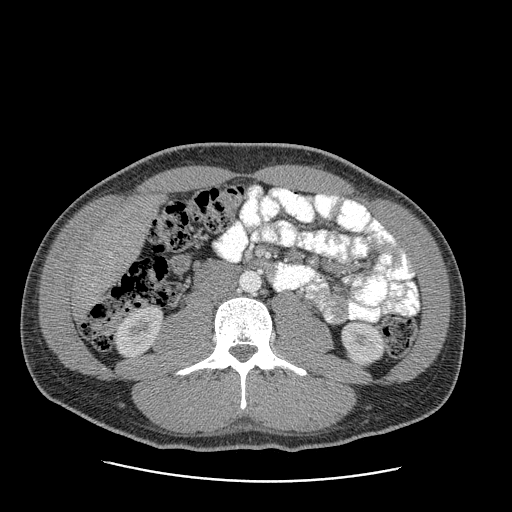
Arterial-phase contrast-enhanced abdominal CT, axial slice 131 of 199 (counted from the lowest slice); tube voltage 120 kVp, convolution kernel STANDARD; slices 2.50 mm thick, 0.789 mm per pixel.
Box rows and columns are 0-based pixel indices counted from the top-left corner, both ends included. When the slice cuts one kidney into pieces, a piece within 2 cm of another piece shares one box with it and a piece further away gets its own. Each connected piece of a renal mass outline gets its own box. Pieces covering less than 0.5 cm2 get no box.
Boxed on this slice (two kidney boxes), listed by box centre from the image's left to its right: (1) Right kidney at rows 304–356, columns 114–161 (outlined area 1,809 px, about 11.3 cm2). (2) Box rows 321–366, columns 341–384: left kidney (outlined area 1,552 px, about 9.7 cm2). No renal mass is outlined on this slice.